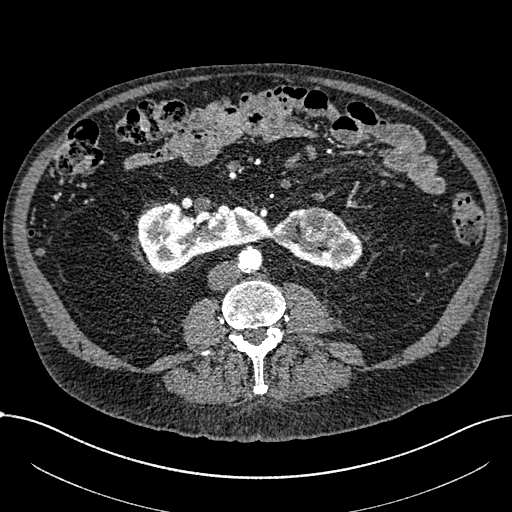
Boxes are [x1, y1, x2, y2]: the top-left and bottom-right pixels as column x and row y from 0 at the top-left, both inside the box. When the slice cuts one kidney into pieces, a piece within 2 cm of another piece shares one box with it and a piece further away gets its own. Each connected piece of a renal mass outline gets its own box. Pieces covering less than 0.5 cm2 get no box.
Slice 309/1059 of a contrast-enhanced abdominal CT in the arterial phase, counting up from the lowest; pixel size 0.811 mm, slice thickness 1.00 mm. One kidney box and one renal mass box on this slice; by box centre, from the image's left to its right: (1) Kidney crossing the body midline at [137, 203, 362, 271] (outlined area 8,796 px, about 57.8 cm2). (2) Renal mass at [298, 207, 344, 243] (outlined area 1,275 px, about 8.4 cm2).
Tube voltage 100 kVp; convolution kernel I30f.